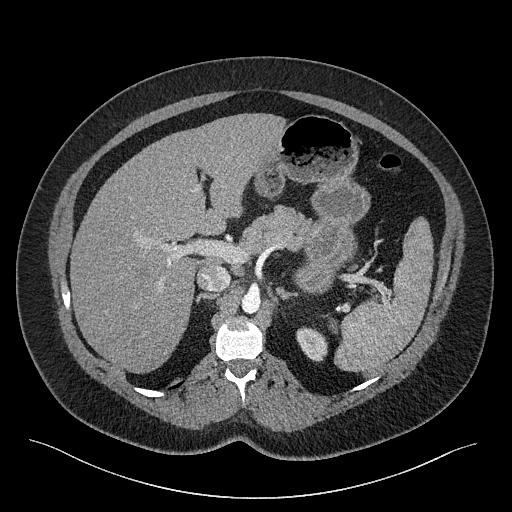
Axial slice 177 of 301 of a contrast-enhanced abdominal CT (slice 1 is the lowest), 120 kVp, kernel I40f; 2.00 mm slice thickness and 0.859 mm pixels.
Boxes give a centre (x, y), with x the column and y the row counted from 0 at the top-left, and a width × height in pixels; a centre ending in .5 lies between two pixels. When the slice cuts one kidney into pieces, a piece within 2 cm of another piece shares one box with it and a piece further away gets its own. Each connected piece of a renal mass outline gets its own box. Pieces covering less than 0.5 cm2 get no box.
Left kidney in a box with centre (311.5, 343.5), 32 × 36 pixels (outlined area 820 px, about 6.1 cm2). No renal mass outline on this slice.